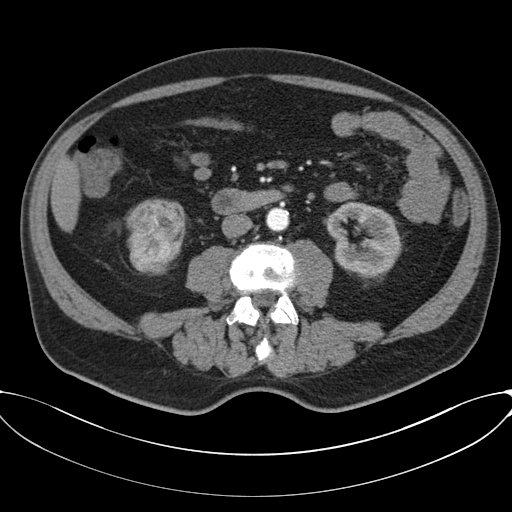
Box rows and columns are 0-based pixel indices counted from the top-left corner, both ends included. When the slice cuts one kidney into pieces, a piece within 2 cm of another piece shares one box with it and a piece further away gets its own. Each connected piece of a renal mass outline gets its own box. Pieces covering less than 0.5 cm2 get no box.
Contrast-enhanced abdominal CT, axial slice 23 of 80 (counted from the lowest slice); 3.00 mm thick, 0.822 mm per pixel. Two kidney boxes and one renal mass box on this slice; by box centre, from the image's left to its right: (1) Right renal mass at rows 198–273, columns 125–181 (outlined area 3,261 px, about 22.0 cm2). (2) Right kidney at rows 202–254, columns 171–184 (outlined area 242 px, about 1.6 cm2). (3) Left kidney at rows 201–281, columns 327–402 (outlined area 4,136 px, about 28.0 cm2).
Acquired at 120 kVp and reconstructed with the B30f kernel.